Abdominal CT with intravenous contrast, axial plane, 140 kVp, kernel I44f. Slice 23/86 from the bottom of the scan; thickness 3.00 mm; pixel size 0.977 mm.
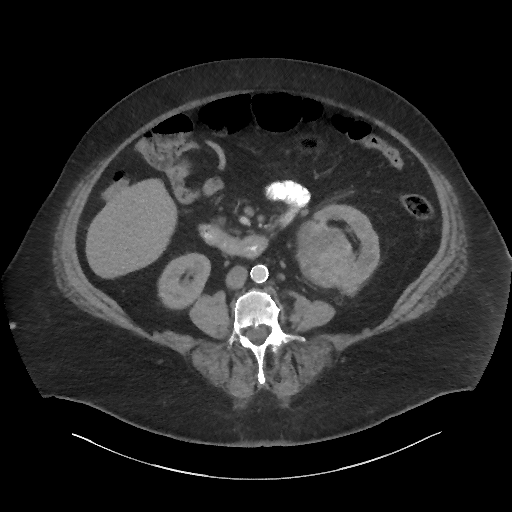
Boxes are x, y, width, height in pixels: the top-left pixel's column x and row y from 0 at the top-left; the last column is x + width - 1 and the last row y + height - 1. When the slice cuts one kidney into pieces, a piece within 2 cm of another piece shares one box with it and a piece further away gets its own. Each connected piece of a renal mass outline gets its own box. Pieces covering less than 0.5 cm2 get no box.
Boxed on this slice (two kidney boxes and one renal mass box), listed by box centre from the image's left to its right: (1) Box x 157, y 252, width 54, height 58: right kidney (outlined area 2,177 px, about 20.8 cm2). (2) Box x 294, y 220, width 61, height 69: left renal mass (outlined area 3,019 px, about 28.8 cm2). (3) Box x 310, y 204, width 70, height 93: left kidney (outlined area 2,669 px, about 25.5 cm2).